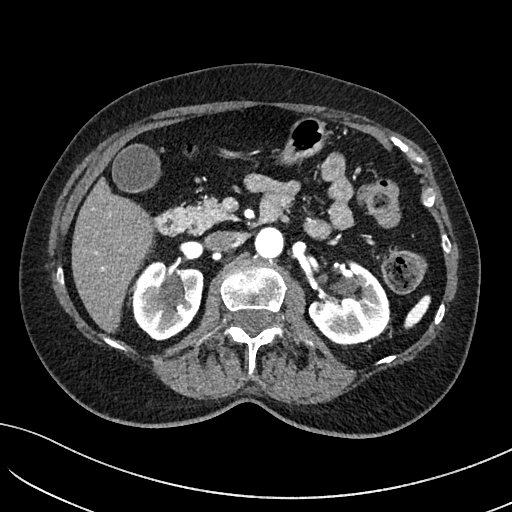
Abdominal CT with intravenous contrast, arterial phase, axial plane, 100 kVp, kernel I40f. Slice 75/234 from the bottom of the scan; thickness 2.00 mm; pixel size 0.699 mm.
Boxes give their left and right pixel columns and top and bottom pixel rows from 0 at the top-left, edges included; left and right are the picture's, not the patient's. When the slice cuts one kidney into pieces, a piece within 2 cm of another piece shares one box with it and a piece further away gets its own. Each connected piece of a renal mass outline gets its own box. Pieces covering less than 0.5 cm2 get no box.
Boxed on this slice (two kidney boxes), listed by box centre from the image's left to its right: (1) Box with left 131, top 260, right 203, bottom 340: right kidney (outlined area 4,422 px, about 21.6 cm2). (2) Box with left 308, top 260, right 390, bottom 345: left kidney (outlined area 4,694 px, about 22.9 cm2). This slice carries no renal mass outline.